Abdominal CT with intravenous contrast, arterial phase, axial plane, 120 kVp, kernel I30f. Slice 233/602 from the bottom of the scan; thickness 1.00 mm; pixel size 0.799 mm.
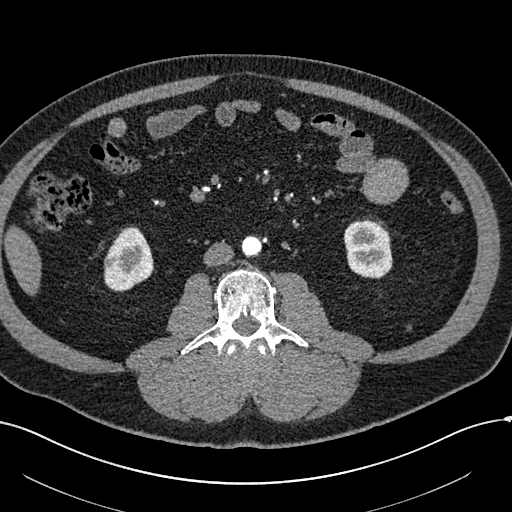
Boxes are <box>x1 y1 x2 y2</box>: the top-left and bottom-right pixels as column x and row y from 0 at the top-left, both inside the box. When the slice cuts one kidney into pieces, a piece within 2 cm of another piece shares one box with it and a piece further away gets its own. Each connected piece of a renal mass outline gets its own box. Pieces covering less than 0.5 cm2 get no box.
Boxed on this slice (two kidney boxes and one renal mass box), listed by box centre from the image's left to its right: (1) Right renal mass: <box>104 253 119 269</box> (outlined area 216 px, about 1.4 cm2). (2) At <box>103 225 153 291</box>: right kidney (outlined area 2,228 px, about 14.2 cm2). (3) Left kidney: <box>343 218 392 278</box> (outlined area 2,406 px, about 15.4 cm2).